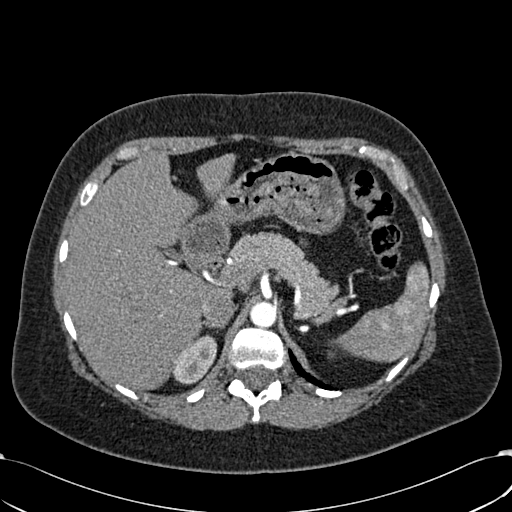
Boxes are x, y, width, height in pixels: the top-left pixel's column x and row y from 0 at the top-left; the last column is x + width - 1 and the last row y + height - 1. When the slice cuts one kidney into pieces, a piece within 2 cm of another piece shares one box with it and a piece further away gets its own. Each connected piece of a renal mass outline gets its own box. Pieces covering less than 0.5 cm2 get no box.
Slice 451/532 of a contrast-enhanced abdominal CT in the arterial phase, counting up from the lowest; pixel size 0.713 mm, slice thickness 1.00 mm. Right kidney, box x 172, y 334, width 46, height 51 (outlined area 1,546 px, about 7.9 cm2). This slice carries no renal mass outline.
Tube voltage 120 kVp; convolution kernel B30f.